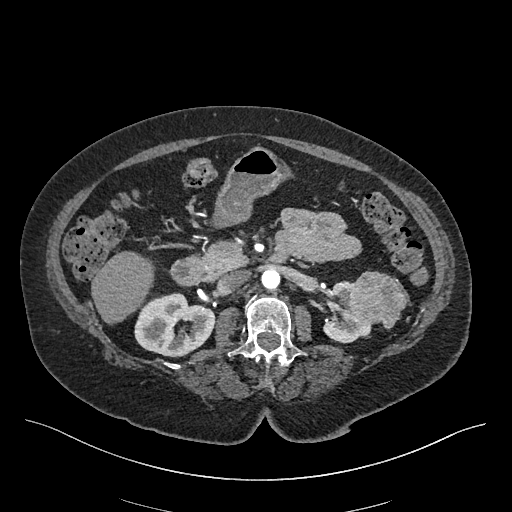
One axial slice (260 of 548, counting up from the lowest) of an arterial-phase abdominal CT acquired with 120 kVp, kernel I26f; each pixel is 0.852 mm and the slice is 1.00 mm thick.
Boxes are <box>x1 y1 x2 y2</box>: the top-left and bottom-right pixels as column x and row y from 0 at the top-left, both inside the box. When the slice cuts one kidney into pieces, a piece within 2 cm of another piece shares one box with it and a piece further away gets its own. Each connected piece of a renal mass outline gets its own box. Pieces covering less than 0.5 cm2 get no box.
Boxed on this slice (two kidney boxes and one renal mass box), listed by box centre from the image's left to its right: (1) Right kidney at <box>134 293 214 357</box> (outlined area 3,782 px, about 27.4 cm2). (2) At <box>323 281 371 343</box>: left kidney (outlined area 1,630 px, about 11.8 cm2). (3) At <box>345 271 407 329</box>: left renal mass (outlined area 2,642 px, about 19.2 cm2).